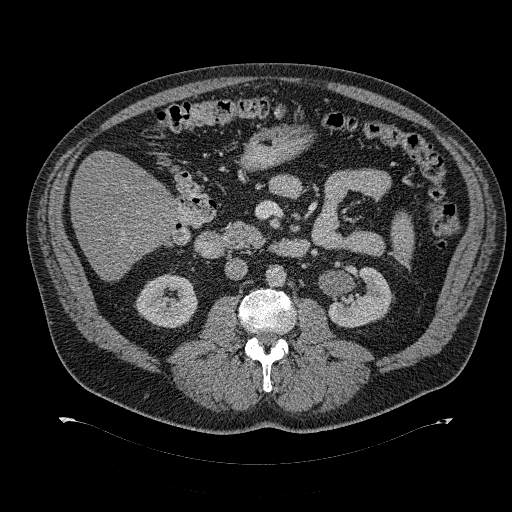
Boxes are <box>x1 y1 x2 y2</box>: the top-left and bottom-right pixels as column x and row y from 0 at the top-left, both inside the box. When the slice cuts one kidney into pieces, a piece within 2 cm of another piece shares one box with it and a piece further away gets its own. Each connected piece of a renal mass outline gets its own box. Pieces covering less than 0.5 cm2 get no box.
Contrast-enhanced abdominal CT, axial slice 174 of 274 (counted from the lowest slice); 2.00 mm thick, 0.977 mm per pixel. Boxed on this slice (two kidney boxes), listed by box centre from the image's left to its right: (1) Right kidney at <box>134 273 197 328</box> (outlined area 2,570 px, about 24.5 cm2). (2) At <box>328 267 394 327</box>: left kidney (outlined area 2,580 px, about 24.6 cm2). No renal mass is outlined on this slice.
Acquired at 120 kVp and reconstructed with the B31f kernel.